One axial slice (47 of 75, counting up from the lowest) of a contrast-enhanced abdominal CT acquired with 140 kVp, kernel B30f; each pixel is 0.875 mm and the slice is 3.00 mm thick.
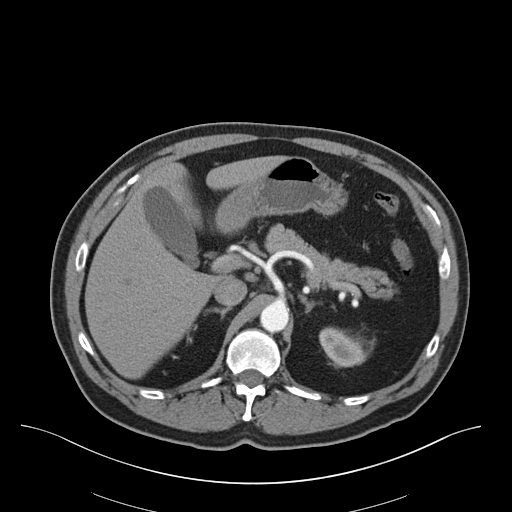
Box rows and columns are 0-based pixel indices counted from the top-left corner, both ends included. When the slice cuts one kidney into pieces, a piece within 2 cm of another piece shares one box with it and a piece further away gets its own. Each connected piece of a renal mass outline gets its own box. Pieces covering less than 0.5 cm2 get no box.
Left kidney at rows 327–367, columns 319–375 (outlined area 1,570 px, about 12.0 cm2). No renal mass outline on this slice.